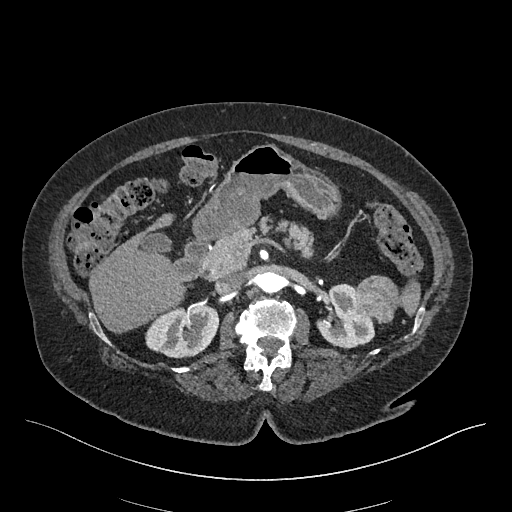
Arterial-phase contrast-enhanced abdominal CT, axial slice 279 of 548 (counted from the lowest slice); tube voltage 120 kVp, convolution kernel I26f; slices 1.00 mm thick, 0.852 mm per pixel.
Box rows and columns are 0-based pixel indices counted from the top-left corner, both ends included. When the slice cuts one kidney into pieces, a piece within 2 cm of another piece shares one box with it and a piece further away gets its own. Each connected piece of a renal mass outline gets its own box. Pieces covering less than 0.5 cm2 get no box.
Two kidney boxes and one renal mass box on this slice; by box centre, from the image's left to its right: (1) Right kidney at rows 305–358, columns 145–219 (outlined area 3,004 px, about 21.8 cm2). (2) Box rows 284–348, columns 315–374: left kidney (outlined area 2,475 px, about 17.9 cm2). (3) Left renal mass at rows 275–323, columns 355–398 (outlined area 1,667 px, about 12.1 cm2).